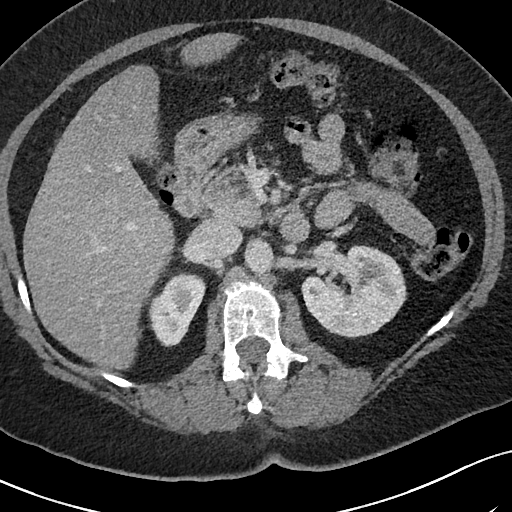
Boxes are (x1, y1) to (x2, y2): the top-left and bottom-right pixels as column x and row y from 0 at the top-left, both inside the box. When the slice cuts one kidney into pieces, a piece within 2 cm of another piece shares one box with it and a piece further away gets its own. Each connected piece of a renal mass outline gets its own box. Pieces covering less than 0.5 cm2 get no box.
Slice 49/69 of a contrast-enhanced abdominal CT in the arterial phase, counting up from the lowest; pixel size 0.664 mm, slice thickness 3.00 mm. Boxed on this slice (two kidney boxes), listed by box centre from the image's left to its right: (1) Right kidney, box (148, 271) to (206, 346) (outlined area 2,881 px, about 12.7 cm2). (2) Left kidney from (301, 245) to (407, 338) (outlined area 7,055 px, about 31.1 cm2). This slice carries no renal mass outline.
Tube voltage 120 kVp; convolution kernel I40f.